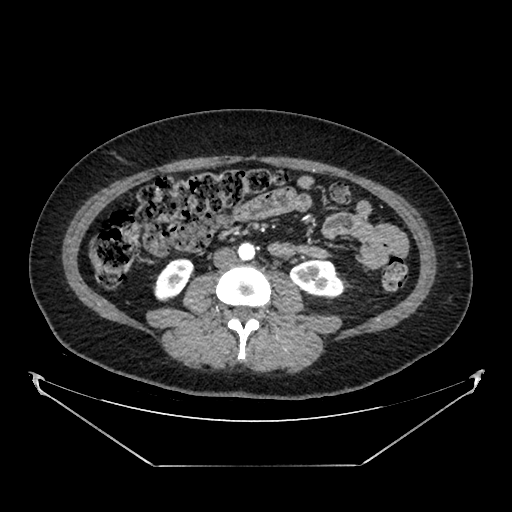
One axial slice (194 of 383, counting up from the lowest) of an arterial-phase abdominal CT acquired with 100 kVp, kernel SOFT; each pixel is 0.898 mm and the slice is 1.25 mm thick.
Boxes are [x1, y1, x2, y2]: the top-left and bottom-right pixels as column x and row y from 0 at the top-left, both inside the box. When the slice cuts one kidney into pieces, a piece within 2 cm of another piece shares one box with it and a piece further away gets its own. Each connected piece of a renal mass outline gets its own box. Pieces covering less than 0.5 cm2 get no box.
Boxed on this slice (two kidney boxes), listed by box centre from the image's left to its right: (1) Box [153, 258, 193, 301]: right kidney (outlined area 1,185 px, about 9.6 cm2). (2) Box [289, 259, 342, 297]: left kidney (outlined area 1,555 px, about 12.6 cm2). No renal mass outline on this slice.